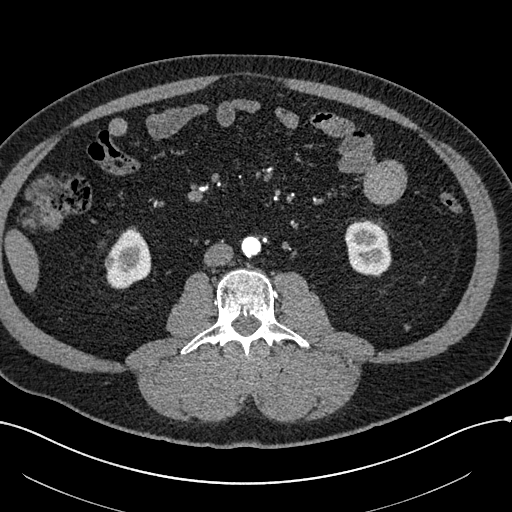
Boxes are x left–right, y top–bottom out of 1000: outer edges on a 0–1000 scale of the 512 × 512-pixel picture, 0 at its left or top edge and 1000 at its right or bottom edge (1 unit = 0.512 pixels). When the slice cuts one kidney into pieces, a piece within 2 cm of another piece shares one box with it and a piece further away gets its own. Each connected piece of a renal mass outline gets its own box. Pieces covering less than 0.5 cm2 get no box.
This is axial slice 229 of 602 (slice 1 is the lowest) of an arterial-phase abdominal CT with contrast; each pixel is 0.799 mm and the slice is 1.00 mm thick. Two kidney boxes and one renal mass box on this slice; by box centre, from the image's left to its right: (1) Right renal mass, box x 203–232, y 494–527 out of 1000 (outlined area 185 px, about 1.2 cm2). (2) Right kidney at x 207–297, y 441–566 out of 1000 (outlined area 1,909 px, about 12.2 cm2). (3) Left kidney at x 672–766, y 426–541 out of 1000 (outlined area 2,151 px, about 13.7 cm2).
Tube voltage 120 kVp; convolution kernel I30f.